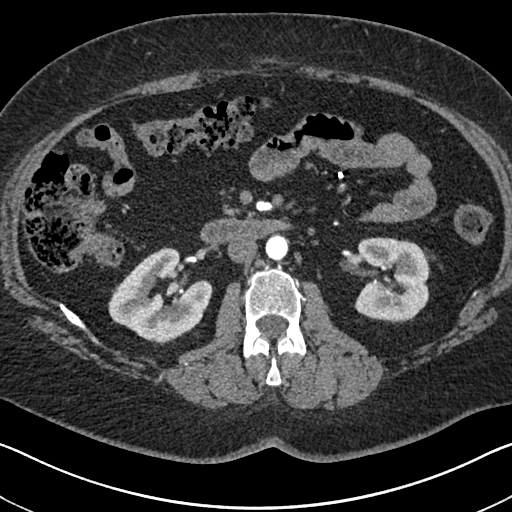
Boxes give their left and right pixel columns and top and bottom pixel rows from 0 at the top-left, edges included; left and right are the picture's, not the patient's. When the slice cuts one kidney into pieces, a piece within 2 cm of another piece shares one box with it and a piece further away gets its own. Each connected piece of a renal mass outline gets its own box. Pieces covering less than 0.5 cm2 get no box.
Slice 383/591 of a contrast-enhanced abdominal CT in the arterial phase, counting up from the lowest; pixel size 0.703 mm, slice thickness 1.00 mm. Two boxes on this slice (two kidney boxes), listed by box centre from the image's left to its right. (1) Right kidney in the box with left 108, top 247, right 212, bottom 341 (outlined area 6,297 px, about 31.1 cm2). (2) Box with left 353, top 237, right 429, bottom 322: left kidney (outlined area 5,269 px, about 26.0 cm2). No renal mass is outlined on this slice.
Acquired at 140 kVp and reconstructed with the I30f kernel.